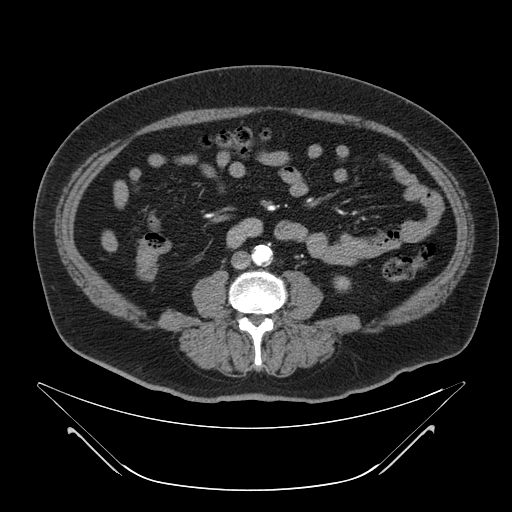
Axial slice 12 of 64 of a contrast-enhanced abdominal CT (slice 1 is the lowest), 120 kVp, kernel B; 4.00 mm slice thickness and 0.977 mm pixels.
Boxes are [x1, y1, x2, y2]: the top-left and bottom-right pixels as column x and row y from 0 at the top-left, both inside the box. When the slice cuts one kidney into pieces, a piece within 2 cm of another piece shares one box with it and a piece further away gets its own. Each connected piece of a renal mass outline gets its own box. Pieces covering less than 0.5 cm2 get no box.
Box [333, 276, 350, 291]: left kidney (outlined area 224 px, about 2.1 cm2). This slice carries no renal mass outline.